Abdominal CT with intravenous contrast, axial plane, 120 kVp, kernel B31f. Slice 82/99 from the bottom of the scan; thickness 5.00 mm; pixel size 0.742 mm.
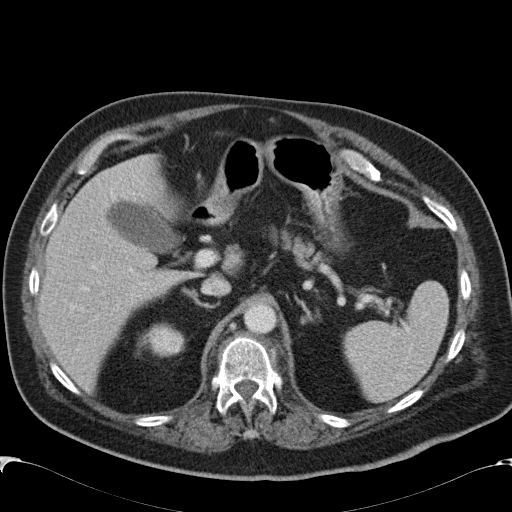
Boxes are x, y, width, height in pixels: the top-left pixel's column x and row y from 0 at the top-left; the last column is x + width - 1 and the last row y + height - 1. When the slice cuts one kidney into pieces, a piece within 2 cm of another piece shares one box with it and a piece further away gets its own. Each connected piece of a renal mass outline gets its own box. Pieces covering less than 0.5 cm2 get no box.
Box x 143, y 324, width 41, height 32: right kidney (outlined area 969 px, about 5.3 cm2). No renal mass is outlined on this slice.